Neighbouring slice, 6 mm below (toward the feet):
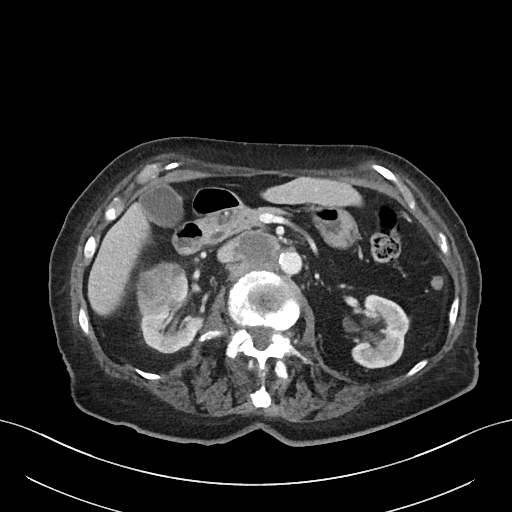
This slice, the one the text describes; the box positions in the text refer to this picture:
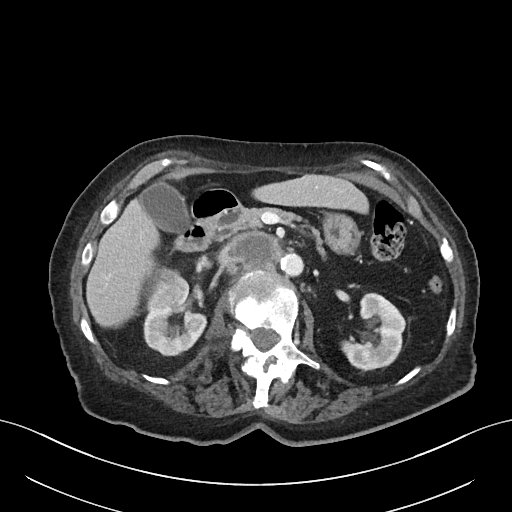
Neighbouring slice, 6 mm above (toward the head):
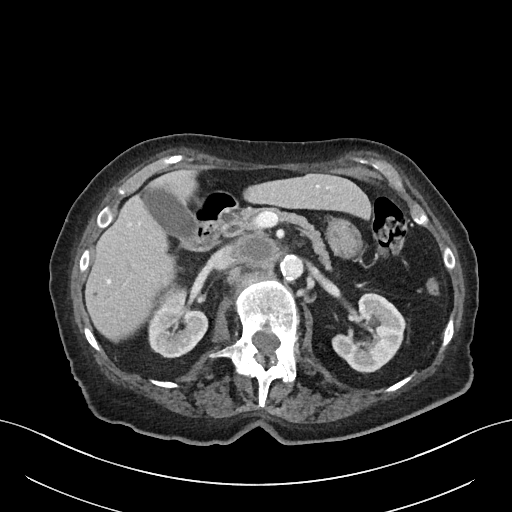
Contrast-enhanced abdominal CT, axial slice 36 of 76 (counted from the lowest slice); tube voltage 100 kVp, convolution kernel I40f; slices 3.00 mm thick, 0.768 mm per pixel.
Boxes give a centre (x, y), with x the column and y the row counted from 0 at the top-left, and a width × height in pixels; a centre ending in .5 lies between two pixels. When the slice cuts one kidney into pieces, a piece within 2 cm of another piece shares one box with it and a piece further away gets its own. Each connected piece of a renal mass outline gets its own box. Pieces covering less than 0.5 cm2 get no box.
Boxed on this slice (two kidney boxes and one renal mass box), listed by box centre from the image's left to its right: (1) Right renal mass in a box with centre (166.5, 286.5), 38 × 42 pixels (outlined area 1,091 px, about 6.4 cm2). (2) Right kidney in a box with centre (175, 316), 65 × 81 pixels (outlined area 2,831 px, about 16.7 cm2). (3) Left kidney in a box with centre (373, 330.5), 67 × 78 pixels (outlined area 3,302 px, about 19.5 cm2). This slice lies near the end of the right renal mass toward the head; the slices 6 mm below and 6 mm above it are shown too, and the boxes mark positions on this slice only.